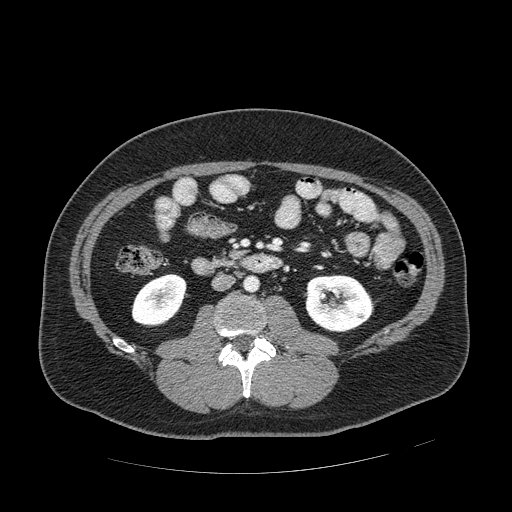
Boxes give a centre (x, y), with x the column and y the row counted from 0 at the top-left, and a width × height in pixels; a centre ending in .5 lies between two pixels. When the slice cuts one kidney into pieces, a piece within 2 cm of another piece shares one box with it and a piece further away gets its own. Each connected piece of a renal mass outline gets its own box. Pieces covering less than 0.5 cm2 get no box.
Arterial-phase contrast-enhanced abdominal CT, axial slice 236 of 389 (counted from the lowest slice); 1.25 mm thick, 0.869 mm per pixel. Boxed on this slice (two kidney boxes), listed by box centre from the image's left to its right: (1) Box centre (158.5, 299.5), 56 × 54 pixels: right kidney (outlined area 2,168 px, about 16.4 cm2). (2) Left kidney in a box with centre (339.5, 303), 70 × 59 pixels (outlined area 3,210 px, about 24.2 cm2). This slice carries no renal mass outline.
Tube voltage 120 kVp; convolution kernel STANDARD.